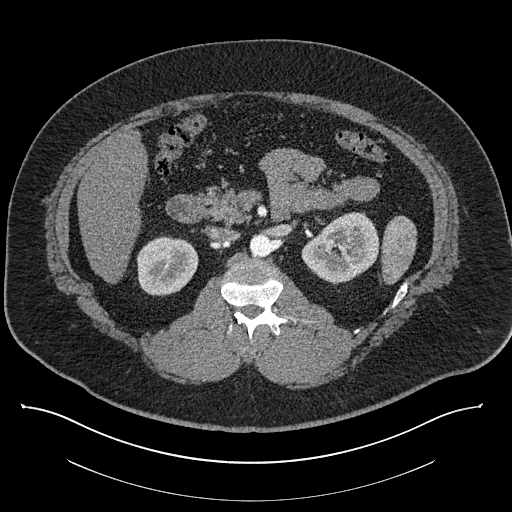
Axial slice 515 of 787 of a contrast-enhanced abdominal CT (slice 1 is the lowest), 140 kVp, kernel I30f; 1.00 mm slice thickness and 0.910 mm pixels.
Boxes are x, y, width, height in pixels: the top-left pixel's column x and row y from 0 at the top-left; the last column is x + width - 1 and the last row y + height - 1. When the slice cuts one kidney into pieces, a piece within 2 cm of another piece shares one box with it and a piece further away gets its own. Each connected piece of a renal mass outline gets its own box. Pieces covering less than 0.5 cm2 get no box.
Boxed on this slice (two kidney boxes), listed by box centre from the image's left to its right: (1) Box x 136, y 236, width 63, height 61: right kidney (outlined area 2,967 px, about 24.6 cm2). (2) Left kidney, box x 301, y 212, width 79, height 73 (outlined area 3,987 px, about 33.0 cm2). No renal mass outline on this slice.